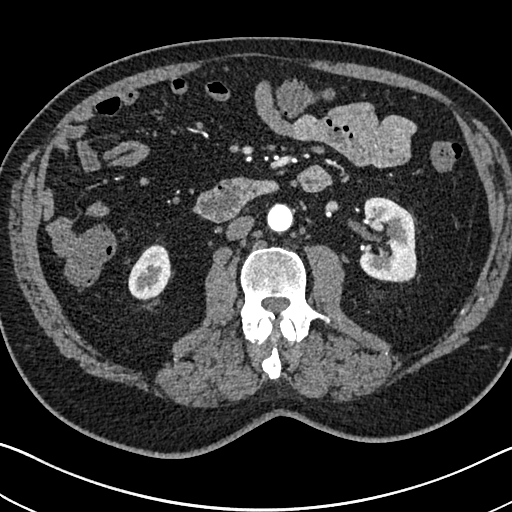
One axial slice (373 of 705, counting up from the lowest) of an arterial-phase abdominal CT acquired with 120 kVp, kernel I30f; each pixel is 0.703 mm and the slice is 1.00 mm thick.
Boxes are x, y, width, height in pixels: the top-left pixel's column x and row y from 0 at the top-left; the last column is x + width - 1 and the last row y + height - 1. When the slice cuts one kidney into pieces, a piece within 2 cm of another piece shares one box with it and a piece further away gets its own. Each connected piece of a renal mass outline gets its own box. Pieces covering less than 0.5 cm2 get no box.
Boxed on this slice (two kidney boxes), listed by box centre from the image's left to its right: (1) Box x 128, y 244, width 43, height 57: right kidney (outlined area 1,779 px, about 8.8 cm2). (2) Box x 358, y 197, width 59, height 86: left kidney (outlined area 4,002 px, about 19.8 cm2). No renal mass is outlined on this slice.